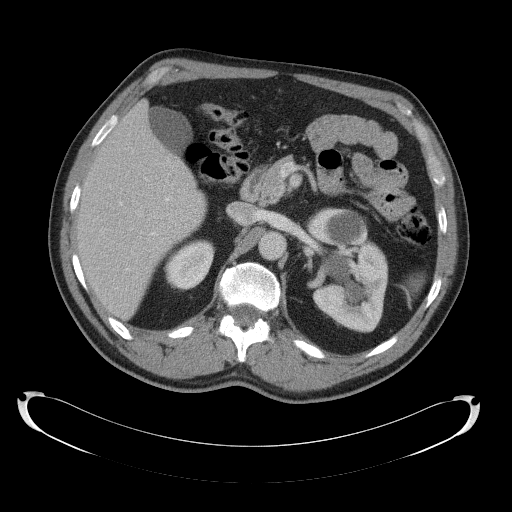
Axial slice 77 of 145 of a contrast-enhanced abdominal CT (slice 1 is the lowest), 120 kVp, kernel B41f; 5.00 mm slice thickness and 0.859 mm pixels.
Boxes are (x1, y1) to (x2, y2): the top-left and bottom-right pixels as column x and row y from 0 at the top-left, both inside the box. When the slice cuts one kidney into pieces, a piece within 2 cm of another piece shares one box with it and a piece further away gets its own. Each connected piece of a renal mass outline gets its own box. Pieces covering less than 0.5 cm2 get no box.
Two boxes on this slice (two kidney boxes), listed by box centre from the image's left to its right. (1) Box (163, 239) to (215, 290): right kidney (outlined area 1,937 px, about 14.3 cm2). (2) Left kidney from (305, 207) to (388, 332) (outlined area 7,839 px, about 57.9 cm2). This slice carries no renal mass outline.